Axial slice 184 of 548 of a contrast-enhanced abdominal CT in the arterial phase (slice 1 is the lowest), 120 kVp, kernel I26f; 1.00 mm slice thickness and 0.852 mm pixels.
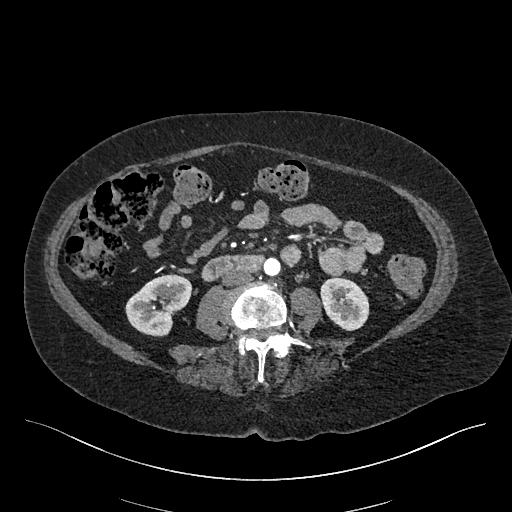
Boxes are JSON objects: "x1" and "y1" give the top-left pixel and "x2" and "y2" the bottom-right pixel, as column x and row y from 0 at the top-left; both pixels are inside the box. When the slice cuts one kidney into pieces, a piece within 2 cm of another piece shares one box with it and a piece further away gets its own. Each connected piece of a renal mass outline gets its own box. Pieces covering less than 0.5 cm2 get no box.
Boxed on this slice (two kidney boxes), listed by box centre from the image's left to its right: (1) Box {"x1": 125, "y1": 273, "x2": 192, "y2": 336}: right kidney (outlined area 2,864 px, about 20.8 cm2). (2) Box {"x1": 320, "y1": 277, "x2": 369, "y2": 330}: left kidney (outlined area 2,028 px, about 14.7 cm2). No renal mass is outlined on this slice.